One axial slice (118 of 270, counting up from the lowest) of an arterial-phase abdominal CT acquired with 100 kVp, kernel I40f; each pixel is 0.855 mm and the slice is 2.00 mm thick.
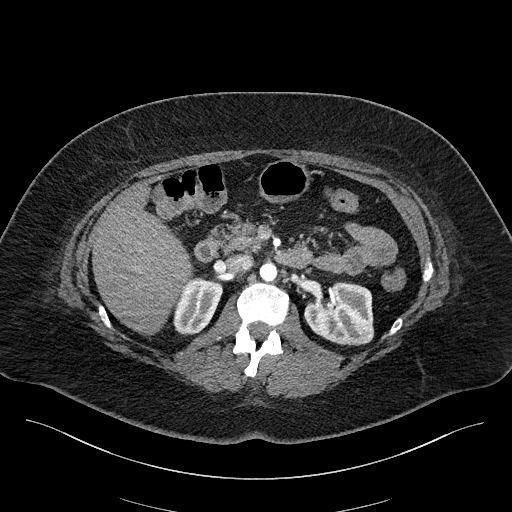
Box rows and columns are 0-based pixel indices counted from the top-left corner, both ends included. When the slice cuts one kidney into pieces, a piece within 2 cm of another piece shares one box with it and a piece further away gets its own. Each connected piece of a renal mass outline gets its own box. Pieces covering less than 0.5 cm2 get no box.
Boxed on this slice (two kidney boxes), listed by box centre from the image's left to its right: (1) Box rows 277–335, columns 173–222: right kidney (outlined area 2,047 px, about 15.0 cm2). (2) Box rows 281–345, columns 304–373: left kidney (outlined area 3,490 px, about 25.5 cm2). This slice carries no renal mass outline.